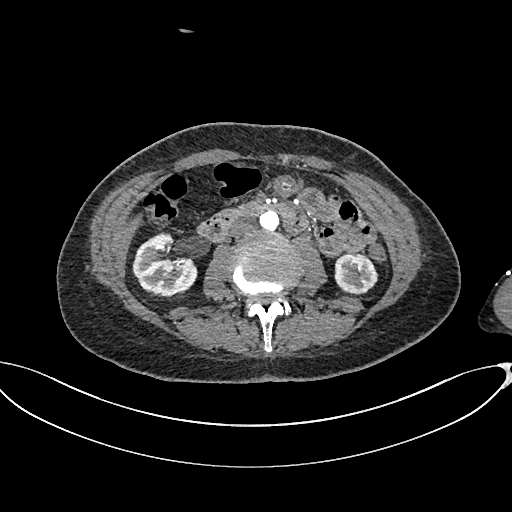
One axial slice (338 of 665, counting up from the lowest) of an arterial-phase abdominal CT acquired with 100 kVp, kernel I26f; each pixel is 0.828 mm and the slice is 1.00 mm thick.
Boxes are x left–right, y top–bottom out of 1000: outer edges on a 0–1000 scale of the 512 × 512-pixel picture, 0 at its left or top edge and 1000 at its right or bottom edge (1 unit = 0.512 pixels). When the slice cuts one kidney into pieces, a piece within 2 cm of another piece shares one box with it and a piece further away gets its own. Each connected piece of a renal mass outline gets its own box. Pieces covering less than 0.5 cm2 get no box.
Two boxes on this slice (two kidney boxes), listed by box centre from the image's left to its right. (1) Right kidney, box x 258–387, y 453–584 out of 1000 (outlined area 3,066 px, about 21.0 cm2). (2) Left kidney, box x 652–740, y 494–576 out of 1000 (outlined area 1,457 px, about 10.0 cm2). No renal mass is outlined on this slice.